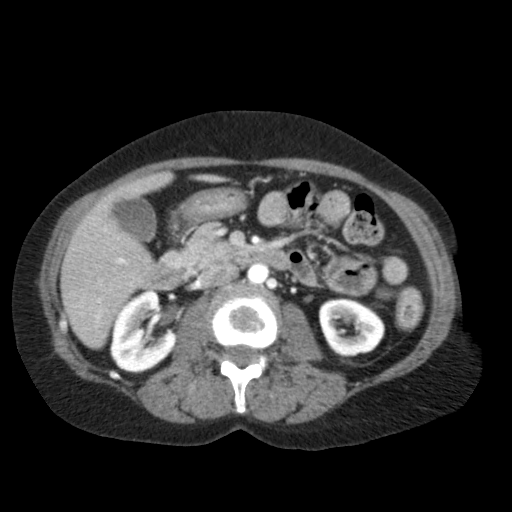
Axial slice 56 of 79 of a contrast-enhanced abdominal CT in the arterial phase (slice 1 is the lowest), 120 kVp, kernel FC11; 5.00 mm slice thickness and 0.686 mm pixels.
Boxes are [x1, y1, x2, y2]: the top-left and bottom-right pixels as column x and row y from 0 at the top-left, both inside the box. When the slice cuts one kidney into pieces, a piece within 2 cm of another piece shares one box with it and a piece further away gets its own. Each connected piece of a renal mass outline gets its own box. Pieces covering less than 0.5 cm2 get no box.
Boxed on this slice (two kidney boxes), listed by box centre from the image's left to its right: (1) Right kidney at [109, 290, 175, 373] (outlined area 3,953 px, about 18.6 cm2). (2) Box [318, 298, 385, 356]: left kidney (outlined area 2,997 px, about 14.1 cm2). No renal mass outline on this slice.